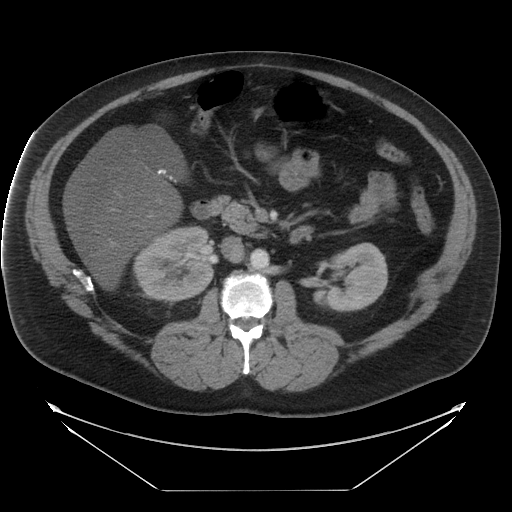
Axial slice 16 of 29 of a contrast-enhanced abdominal CT (slice 1 is the lowest), 120 kVp, kernel STANDARD; 5.00 mm slice thickness and 0.977 mm pixels.
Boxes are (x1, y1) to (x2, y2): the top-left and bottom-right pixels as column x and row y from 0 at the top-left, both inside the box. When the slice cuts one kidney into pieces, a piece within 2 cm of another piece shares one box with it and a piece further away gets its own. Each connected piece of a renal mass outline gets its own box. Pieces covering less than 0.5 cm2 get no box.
Two boxes on this slice (two kidney boxes), listed by box centre from the image's left to its right. (1) Right kidney from (133, 227) to (212, 299) (outlined area 4,470 px, about 42.6 cm2). (2) Box (313, 243) to (387, 311): left kidney (outlined area 3,689 px, about 35.2 cm2). This slice carries no renal mass outline.